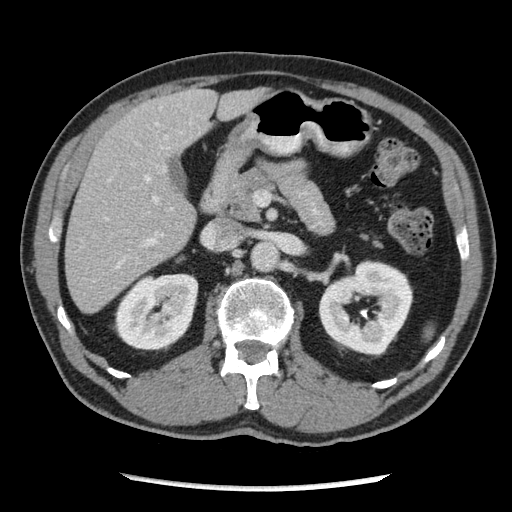
Arterial-phase contrast-enhanced abdominal CT, axial slice 131 of 262 (counted from the lowest slice); tube voltage 120 kVp, convolution kernel STANDARD; slices 2.50 mm thick, 0.703 mm per pixel.
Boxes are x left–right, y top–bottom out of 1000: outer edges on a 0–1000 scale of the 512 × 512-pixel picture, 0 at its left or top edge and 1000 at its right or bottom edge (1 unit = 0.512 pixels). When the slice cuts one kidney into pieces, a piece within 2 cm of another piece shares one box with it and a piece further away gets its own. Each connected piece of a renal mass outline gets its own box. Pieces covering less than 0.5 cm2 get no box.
Two boxes on this slice (two kidney boxes), listed by box centre from the image's left to its right. (1) Right kidney, box x 221–389, y 533–686 out of 1000 (outlined area 5,132 px, about 25.4 cm2). (2) Left kidney at x 621–809, y 506–695 out of 1000 (outlined area 6,393 px, about 31.6 cm2). No renal mass is outlined on this slice.